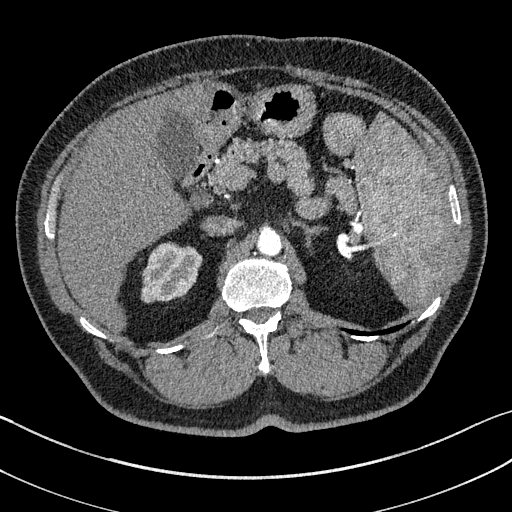
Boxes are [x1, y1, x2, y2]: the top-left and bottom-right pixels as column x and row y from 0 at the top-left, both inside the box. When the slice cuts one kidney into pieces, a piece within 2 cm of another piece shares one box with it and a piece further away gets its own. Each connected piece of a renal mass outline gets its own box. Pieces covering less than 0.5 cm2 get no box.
Arterial-phase contrast-enhanced abdominal CT, axial slice 107 of 195 (counted from the lowest slice); 1.50 mm thick, 0.707 mm per pixel. Right kidney at [141, 242, 201, 302] (outlined area 2,741 px, about 13.7 cm2). No renal mass outline on this slice.
Scan settings: 100 kVp, I31f reconstruction kernel.